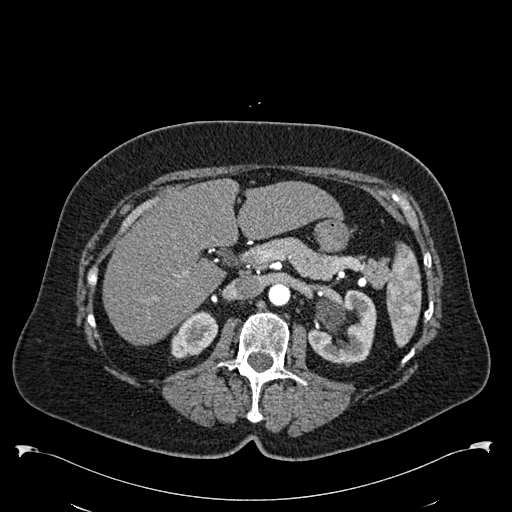
Axial slice 361 of 538 of a contrast-enhanced abdominal CT in the arterial phase (slice 1 is the lowest), 120 kVp, kernel B30f; 1.00 mm slice thickness and 0.811 mm pixels.
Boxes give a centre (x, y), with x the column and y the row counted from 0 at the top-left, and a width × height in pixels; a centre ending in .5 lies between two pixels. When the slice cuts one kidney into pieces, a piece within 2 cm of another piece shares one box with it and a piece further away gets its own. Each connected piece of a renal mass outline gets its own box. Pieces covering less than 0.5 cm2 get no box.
Two boxes on this slice (two kidney boxes), listed by box centre from the image's left to its right. (1) Right kidney, box centre (194.5, 334.5), 48 × 48 pixels (outlined area 1,572 px, about 10.3 cm2). (2) Box centre (341.5, 326.5), 70 × 74 pixels: left kidney (outlined area 3,585 px, about 23.6 cm2). This slice carries no renal mass outline.